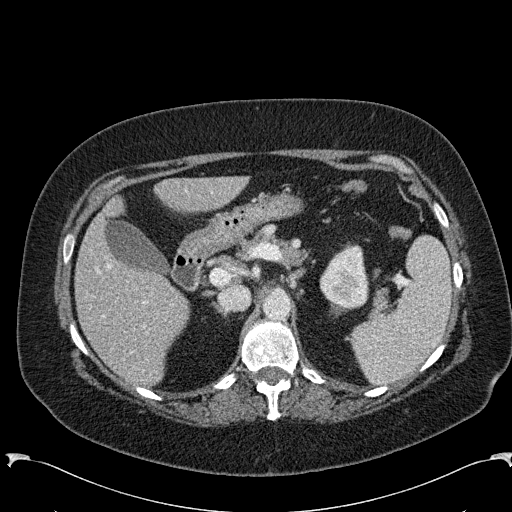
Arterial-phase contrast-enhanced abdominal CT, axial slice 175 of 285 (counted from the lowest slice); tube voltage 120 kVp, convolution kernel B31f; slices 2.00 mm thick, 0.762 mm per pixel.
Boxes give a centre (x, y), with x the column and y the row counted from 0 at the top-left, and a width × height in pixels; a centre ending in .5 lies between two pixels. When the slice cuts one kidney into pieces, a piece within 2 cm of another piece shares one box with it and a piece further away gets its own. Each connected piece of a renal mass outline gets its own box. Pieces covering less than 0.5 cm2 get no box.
Left kidney in a box with centre (344, 276.5), 51 × 66 pixels (outlined area 2,390 px, about 13.9 cm2). No renal mass outline on this slice.